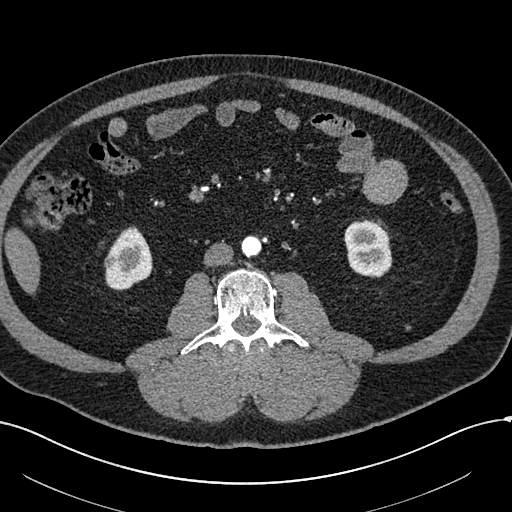
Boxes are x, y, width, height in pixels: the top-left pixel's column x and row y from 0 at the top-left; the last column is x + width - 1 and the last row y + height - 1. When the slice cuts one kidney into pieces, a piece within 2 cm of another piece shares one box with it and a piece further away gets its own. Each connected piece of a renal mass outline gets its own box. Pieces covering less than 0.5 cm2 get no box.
Arterial-phase contrast-enhanced abdominal CT, axial slice 231 of 602 (counted from the lowest slice); 1.00 mm thick, 0.799 mm per pixel. Boxed on this slice (two kidney boxes and one renal mass box), listed by box centre from the image's left to its right: (1) Right renal mass at x 104, y 254, width 16, height 16 (outlined area 199 px, about 1.3 cm2). (2) Box x 105, y 226, width 48, height 65: right kidney (outlined area 2,081 px, about 13.3 cm2). (3) Left kidney, box x 344, y 219, width 49, height 59 (outlined area 2,303 px, about 14.7 cm2).
Tube voltage 120 kVp; convolution kernel I30f.